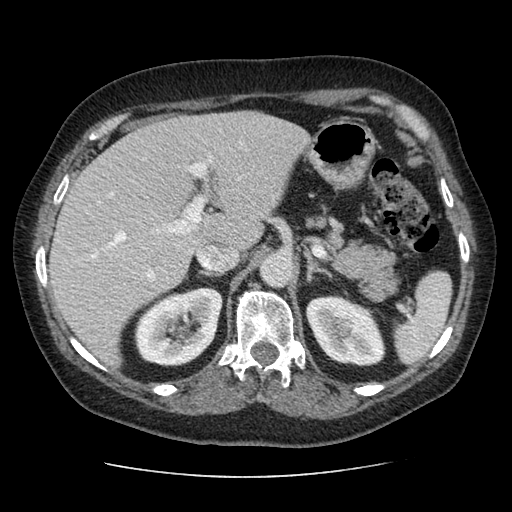
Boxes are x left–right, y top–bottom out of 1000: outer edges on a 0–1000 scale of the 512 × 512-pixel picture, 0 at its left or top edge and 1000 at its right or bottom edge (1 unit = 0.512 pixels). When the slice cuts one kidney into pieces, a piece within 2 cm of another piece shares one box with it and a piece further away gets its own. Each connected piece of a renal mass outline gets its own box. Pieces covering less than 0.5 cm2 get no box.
This is axial slice 68 of 96 (slice 1 is the lowest) of an arterial-phase abdominal CT with contrast; each pixel is 0.689 mm and the slice is 2.50 mm thick. Two boxes on this slice (two kidney boxes), listed by box centre from the image's left to its right. (1) Box x 262–436, y 561–717 out of 1000: right kidney (outlined area 5,341 px, about 25.4 cm2). (2) Box x 596–754, y 574–717 out of 1000: left kidney (outlined area 4,211 px, about 20.0 cm2). No renal mass is outlined on this slice.
Scan settings: 120 kVp, STANDARD reconstruction kernel.